One axial slice (55 of 84, counting up from the lowest) of a contrast-enhanced abdominal CT acquired with 140 kVp, kernel STANDARD; each pixel is 0.717 mm and the slice is 5.00 mm thick.
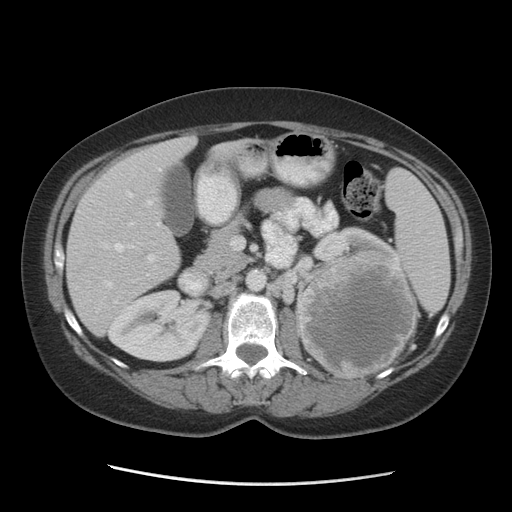
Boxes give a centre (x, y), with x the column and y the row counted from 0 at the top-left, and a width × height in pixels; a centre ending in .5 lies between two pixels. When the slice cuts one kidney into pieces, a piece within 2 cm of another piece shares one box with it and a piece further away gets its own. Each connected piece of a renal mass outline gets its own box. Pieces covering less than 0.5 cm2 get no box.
Three boxes on this slice (two kidney boxes and one renal mass box), listed by box centre from the image's left to its right. (1) Right kidney in a box with centre (159, 325.5), 107 × 74 pixels (outlined area 5,638 px, about 29.0 cm2). (2) Left kidney, box centre (355, 247), 89 × 43 pixels (outlined area 1,932 px, about 9.9 cm2). (3) Left renal mass in a box with centre (358.5, 314), 122 × 129 pixels (outlined area 12,049 px, about 61.9 cm2).